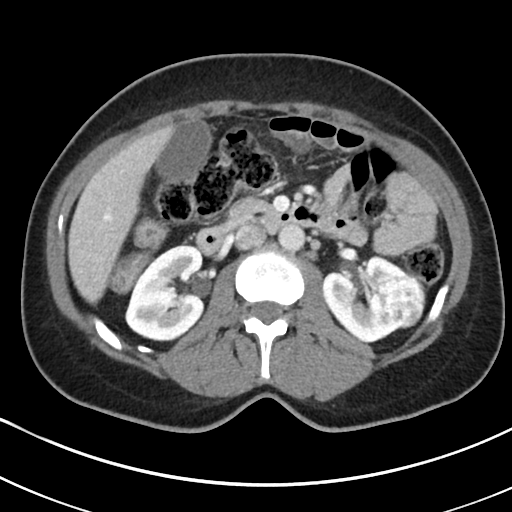
Axial slice 114 of 178 of a contrast-enhanced abdominal CT (slice 1 is the lowest), 100 kVp, kernel I30f; 5.00 mm slice thickness and 0.650 mm pixels.
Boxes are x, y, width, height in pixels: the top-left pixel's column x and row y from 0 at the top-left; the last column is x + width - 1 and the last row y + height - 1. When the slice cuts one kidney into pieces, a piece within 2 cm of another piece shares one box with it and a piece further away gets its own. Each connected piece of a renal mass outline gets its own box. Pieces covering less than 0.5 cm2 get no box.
Two kidney boxes and one renal mass box on this slice; by box centre, from the image's left to its right: (1) Right kidney at x 125, y 244, width 81, height 98 (outlined area 5,858 px, about 24.8 cm2). (2) Left kidney at x 322, y 254, width 89, height 90 (outlined area 4,441 px, about 18.8 cm2). (3) Left renal mass, box x 375, y 272, width 51, height 57 (outlined area 2,036 px, about 8.6 cm2).